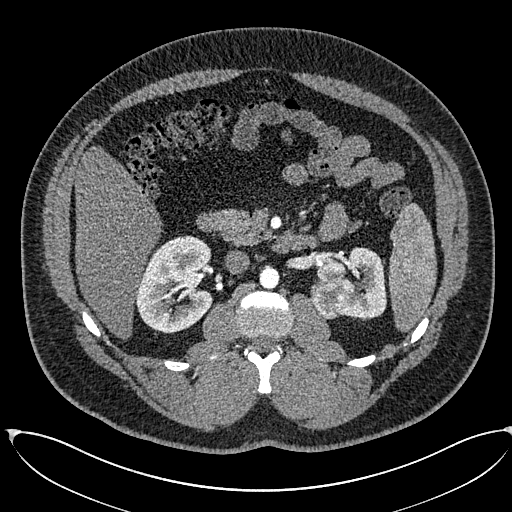
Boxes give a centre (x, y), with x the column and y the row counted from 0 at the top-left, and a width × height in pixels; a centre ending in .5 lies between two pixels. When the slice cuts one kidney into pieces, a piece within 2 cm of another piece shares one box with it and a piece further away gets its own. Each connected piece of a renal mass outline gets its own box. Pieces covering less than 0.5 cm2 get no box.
Arterial-phase contrast-enhanced abdominal CT, axial slice 364 of 673 (counted from the lowest slice); 1.00 mm thick, 0.855 mm per pixel. Three boxes on this slice (two kidney boxes and one renal mass box), listed by box centre from the image's left to its right. (1) Box centre (174, 284), 79 × 99 pixels: right kidney (outlined area 5,729 px, about 41.9 cm2). (2) Left renal mass in a box with centre (330.5, 298.5), 42 × 42 pixels (outlined area 1,394 px, about 10.2 cm2). (3) Left kidney in a box with centre (351.5, 282.5), 70 × 72 pixels (outlined area 2,969 px, about 21.7 cm2).
Acquired at 120 kVp and reconstructed with the I30f kernel.